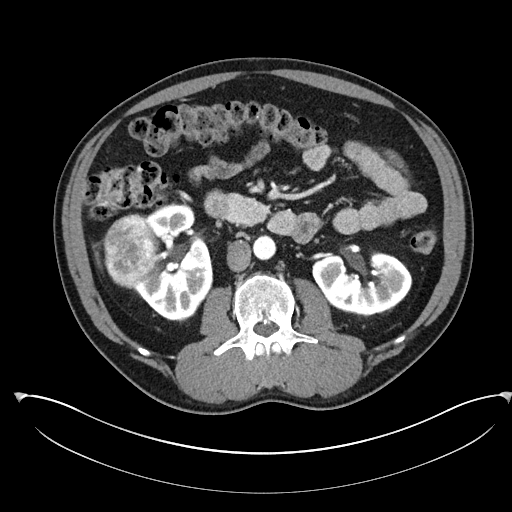
Axial slice 133 of 302 of a contrast-enhanced abdominal CT in the arterial phase (slice 1 is the lowest), 100 kVp, kernel I30f; 5.00 mm slice thickness and 0.875 mm pixels.
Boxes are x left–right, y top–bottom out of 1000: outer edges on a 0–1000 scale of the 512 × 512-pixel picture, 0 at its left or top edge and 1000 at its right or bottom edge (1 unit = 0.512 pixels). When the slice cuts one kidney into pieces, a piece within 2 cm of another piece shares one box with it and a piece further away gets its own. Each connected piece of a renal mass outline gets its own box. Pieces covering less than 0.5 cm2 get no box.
Three boxes on this slice (two kidney boxes and one renal mass box), listed by box centre from the image's left to its right. (1) Right renal mass, box x 201–305, y 416–564 out of 1000 (outlined area 3,053 px, about 23.4 cm2). (2) Box x 260–416, y 396–627 out of 1000: right kidney (outlined area 6,037 px, about 46.2 cm2). (3) Left kidney at x 609–807, y 488–619 out of 1000 (outlined area 4,904 px, about 37.5 cm2).